Abdominal CT with intravenous contrast, arterial phase, axial plane, 120 kVp, kernel STANDARD. Slice 67/96 from the bottom of the scan; thickness 2.50 mm; pixel size 0.689 mm.
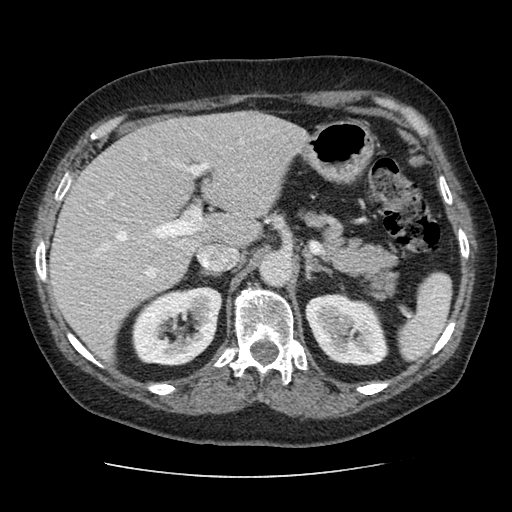
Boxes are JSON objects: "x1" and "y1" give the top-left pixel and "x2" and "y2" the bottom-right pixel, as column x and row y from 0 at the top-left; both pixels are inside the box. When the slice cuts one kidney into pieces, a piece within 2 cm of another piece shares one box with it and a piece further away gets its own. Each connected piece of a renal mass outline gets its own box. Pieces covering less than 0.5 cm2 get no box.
Boxed on this slice (two kidney boxes), listed by box centre from the image's left to its right: (1) Box {"x1": 131, "y1": 286, "x2": 222, "y2": 366}: right kidney (outlined area 5,560 px, about 26.4 cm2). (2) Box {"x1": 305, "y1": 292, "x2": 388, "y2": 365}: left kidney (outlined area 4,612 px, about 21.9 cm2). No renal mass is outlined on this slice.